One axial slice (223 of 670, counting up from the lowest) of an arterial-phase abdominal CT acquired with 120 kVp, kernel I30f; each pixel is 0.861 mm and the slice is 1.00 mm thick.
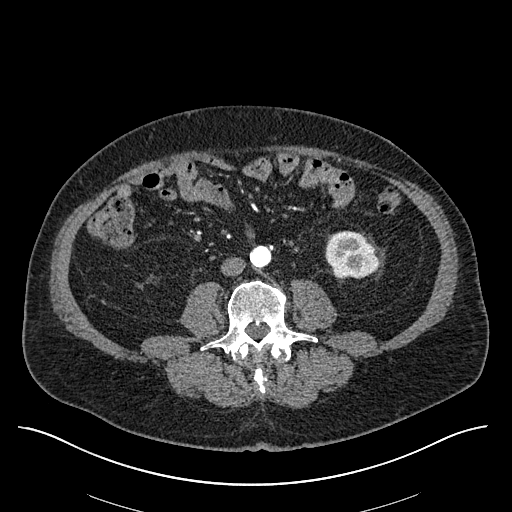
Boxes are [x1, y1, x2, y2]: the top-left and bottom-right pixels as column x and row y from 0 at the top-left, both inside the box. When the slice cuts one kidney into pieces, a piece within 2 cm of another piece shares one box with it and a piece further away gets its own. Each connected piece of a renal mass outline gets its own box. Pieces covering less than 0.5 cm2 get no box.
Left kidney at [325, 231, 378, 278] (outlined area 2,034 px, about 15.1 cm2). No renal mass is outlined on this slice.